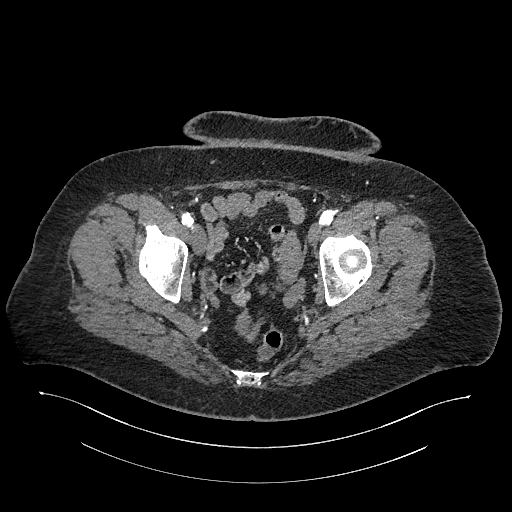
Axial slice 234 of 987 of a contrast-enhanced abdominal CT in the arterial phase (slice 1 is the lowest), 120 kVp, kernel I26f; 1.00 mm slice thickness and 0.977 mm pixels.
Neither a kidney nor a renal mass is outlined here. Only kidneys and renal masses are outlined anywhere in this scan; other structures are never outlined.